One axial slice (10 of 36, counting up from the lowest) of an arterial-phase abdominal CT acquired with 140 kVp, kernel I30f; each pixel is 0.906 mm and the slice is 5.00 mm thick.
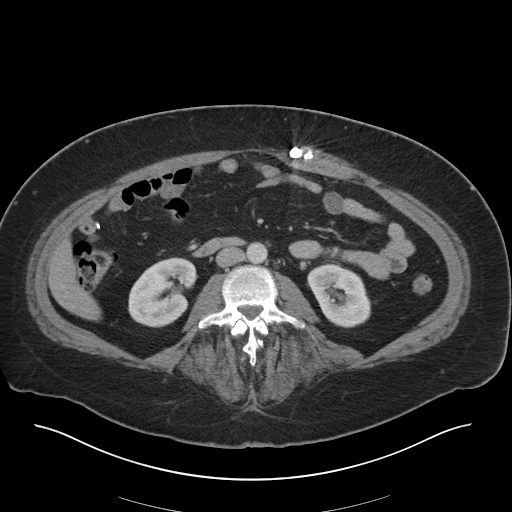
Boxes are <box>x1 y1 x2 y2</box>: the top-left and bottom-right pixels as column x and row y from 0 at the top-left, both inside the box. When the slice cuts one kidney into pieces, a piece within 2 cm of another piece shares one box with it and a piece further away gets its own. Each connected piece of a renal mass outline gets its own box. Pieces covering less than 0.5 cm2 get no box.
Two kidney boxes on this slice; by box centre, from the image's left to its right: (1) Right kidney: <box>128 257 197 327</box> (outlined area 3,546 px, about 29.1 cm2). (2) At <box>307 263 370 327</box>: left kidney (outlined area 3,011 px, about 24.7 cm2). No renal mass is outlined on this slice.